Axial slice 442 of 705 of a contrast-enhanced abdominal CT in the arterial phase (slice 1 is the lowest), 120 kVp, kernel I30f; 1.00 mm slice thickness and 0.703 mm pixels.
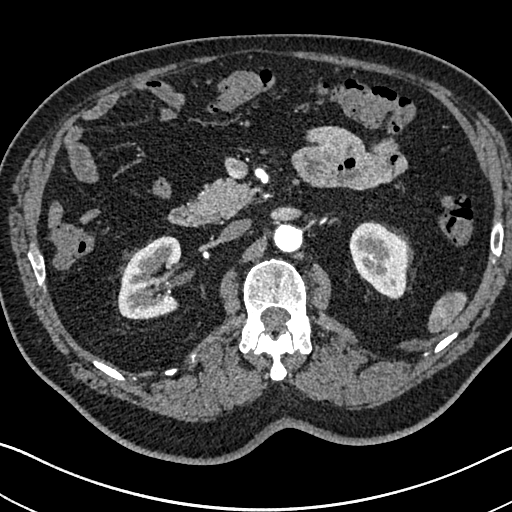
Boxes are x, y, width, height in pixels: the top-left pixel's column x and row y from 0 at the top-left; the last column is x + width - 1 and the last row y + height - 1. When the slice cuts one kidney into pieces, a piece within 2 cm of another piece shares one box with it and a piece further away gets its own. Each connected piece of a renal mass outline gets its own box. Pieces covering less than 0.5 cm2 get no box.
Two boxes on this slice (two kidney boxes), listed by box centre from the image's left to its right. (1) Right kidney at x 117, y 236, width 65, height 84 (outlined area 4,091 px, about 20.2 cm2). (2) Left kidney, box x 349, y 221, width 60, height 79 (outlined area 3,453 px, about 17.1 cm2). This slice carries no renal mass outline.